Axial slice 459 of 738 of a contrast-enhanced abdominal CT in the arterial phase (slice 1 is the lowest), 120 kVp, kernel I30f; 1.00 mm slice thickness and 0.789 mm pixels.
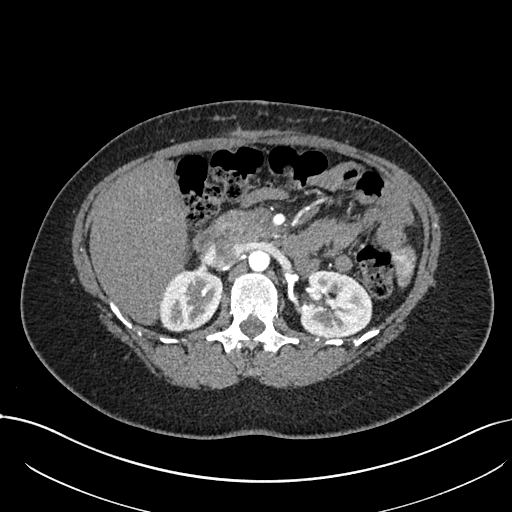
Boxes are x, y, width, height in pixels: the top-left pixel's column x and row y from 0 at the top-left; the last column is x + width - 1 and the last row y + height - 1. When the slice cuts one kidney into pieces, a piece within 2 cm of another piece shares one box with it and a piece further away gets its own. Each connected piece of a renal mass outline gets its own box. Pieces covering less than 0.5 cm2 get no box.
Two kidney boxes on this slice; by box centre, from the image's left to its right: (1) Right kidney at x 159, y 269, width 64, height 63 (outlined area 3,137 px, about 19.5 cm2). (2) Left kidney at x 299, y 270, width 74, height 68 (outlined area 3,984 px, about 24.8 cm2). No renal mass is outlined on this slice.